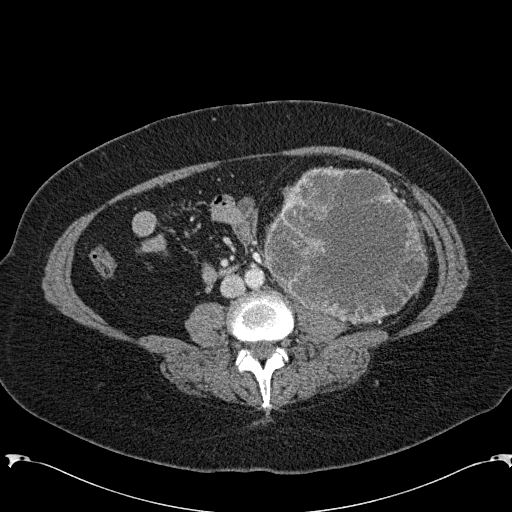
Axial slice 70 of 285 of a contrast-enhanced abdominal CT in the arterial phase (slice 1 is the lowest), 120 kVp, kernel B31f; 2.00 mm slice thickness and 0.762 mm pixels.
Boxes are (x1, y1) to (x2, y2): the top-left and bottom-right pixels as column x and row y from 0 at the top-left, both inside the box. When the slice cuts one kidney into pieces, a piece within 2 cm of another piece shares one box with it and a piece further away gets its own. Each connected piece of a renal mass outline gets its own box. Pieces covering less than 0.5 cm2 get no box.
Left renal mass from (263, 166) to (427, 324) (outlined area 19,567 px, about 113.5 cm2); no kidney outline appears on this slice, but the same outlined renal mass comes within 1 cm of the kidney on another slice.